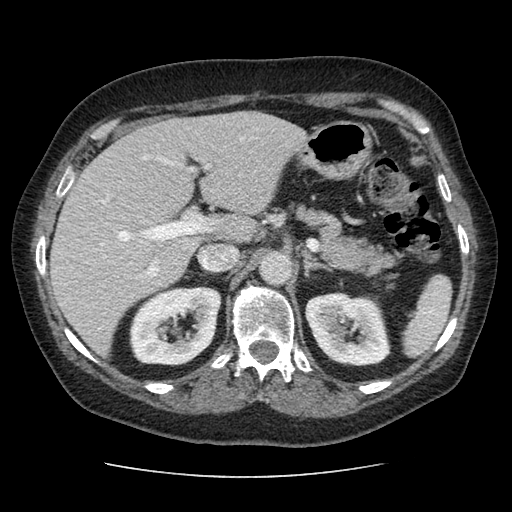
Axial slice 66 of 96 of a contrast-enhanced abdominal CT in the arterial phase (slice 1 is the lowest), 120 kVp, kernel STANDARD; 2.50 mm slice thickness and 0.689 mm pixels.
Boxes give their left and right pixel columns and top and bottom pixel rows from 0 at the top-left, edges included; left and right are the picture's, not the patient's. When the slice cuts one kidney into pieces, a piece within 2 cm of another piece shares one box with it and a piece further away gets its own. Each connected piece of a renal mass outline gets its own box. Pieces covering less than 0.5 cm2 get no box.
Boxed on this slice (two kidney boxes), listed by box centre from the image's left to its right: (1) Box with left 129, top 286, right 221, bottom 365: right kidney (outlined area 5,744 px, about 27.3 cm2). (2) Left kidney, the box with left 305, top 292, right 390, bottom 366 (outlined area 4,947 px, about 23.5 cm2). This slice carries no renal mass outline.